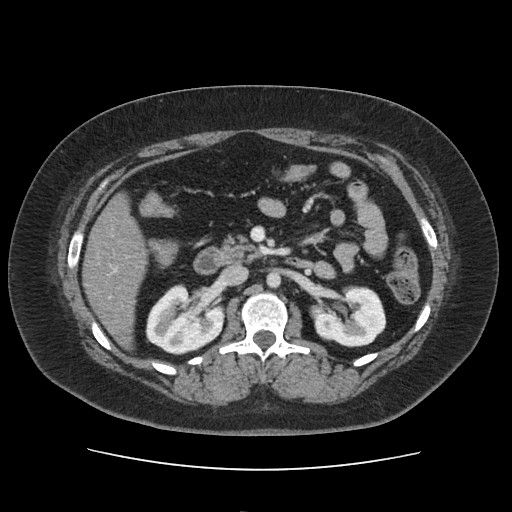
Abdominal CT with intravenous contrast, arterial phase, axial plane, 120 kVp, kernel FC19. Slice 70/103 from the bottom of the scan; thickness 5.00 mm; pixel size 0.873 mm.
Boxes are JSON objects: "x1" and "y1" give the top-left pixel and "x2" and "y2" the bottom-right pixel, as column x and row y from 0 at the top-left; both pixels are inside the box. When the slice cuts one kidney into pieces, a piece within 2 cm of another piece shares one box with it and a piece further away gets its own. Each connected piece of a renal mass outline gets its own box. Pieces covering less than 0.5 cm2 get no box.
Two kidney boxes on this slice; by box centre, from the image's left to its right: (1) Right kidney, box {"x1": 145, "y1": 283, "x2": 225, "y2": 355} (outlined area 4,100 px, about 31.2 cm2). (2) Box {"x1": 314, "y1": 286, "x2": 386, "y2": 347}: left kidney (outlined area 3,260 px, about 24.8 cm2). This slice carries no renal mass outline.